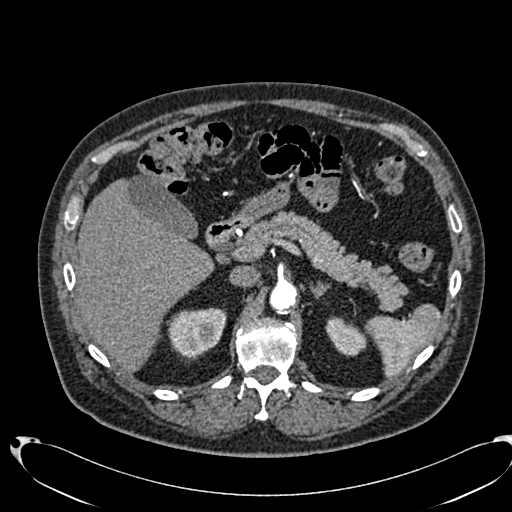
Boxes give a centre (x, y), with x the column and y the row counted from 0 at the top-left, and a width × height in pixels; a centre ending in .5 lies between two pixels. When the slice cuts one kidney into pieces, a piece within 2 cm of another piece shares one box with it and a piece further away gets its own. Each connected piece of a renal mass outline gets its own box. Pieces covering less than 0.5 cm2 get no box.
Slice 484/553 of a contrast-enhanced abdominal CT in the arterial phase, counting up from the lowest; pixel size 0.773 mm, slice thickness 1.00 mm. Two kidney boxes on this slice; by box centre, from the image's left to its right: (1) Right kidney in a box with centre (196, 334), 61 × 55 pixels (outlined area 2,321 px, about 13.9 cm2). (2) Box centre (345.5, 336), 42 × 41 pixels: left kidney (outlined area 1,118 px, about 6.7 cm2). No renal mass outline on this slice.
Scan settings: 120 kVp, B20f reconstruction kernel.